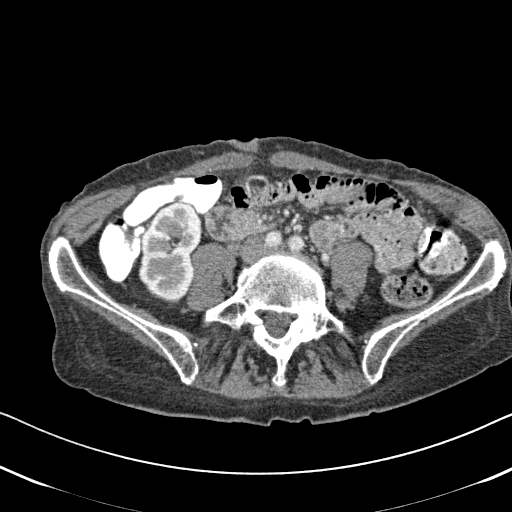
One axial slice (228 of 620, counting up from the lowest) of an arterial-phase abdominal CT acquired with 120 kVp, kernel B31f; each pixel is 0.637 mm and the slice is 2.00 mm thick.
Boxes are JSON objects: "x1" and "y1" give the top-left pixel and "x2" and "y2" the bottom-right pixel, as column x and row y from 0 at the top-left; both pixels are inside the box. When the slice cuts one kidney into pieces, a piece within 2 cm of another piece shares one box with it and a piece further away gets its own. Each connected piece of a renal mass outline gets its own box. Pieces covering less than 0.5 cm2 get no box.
Right kidney at {"x1": 138, "y1": 202, "x2": 202, "y2": 303} (outlined area 5,009 px, about 20.3 cm2). This slice carries no renal mass outline.